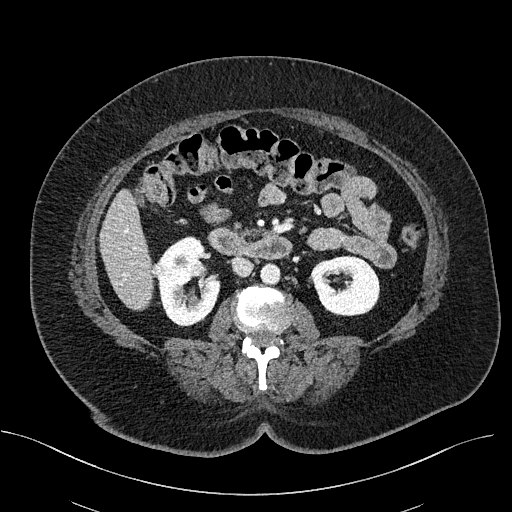
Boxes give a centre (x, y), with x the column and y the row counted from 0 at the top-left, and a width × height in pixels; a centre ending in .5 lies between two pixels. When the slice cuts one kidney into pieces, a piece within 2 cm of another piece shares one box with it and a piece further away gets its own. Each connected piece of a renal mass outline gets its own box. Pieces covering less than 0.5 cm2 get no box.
Contrast-enhanced abdominal CT, axial slice 284 of 470 (counted from the lowest slice); 2.00 mm thick, 0.824 mm per pixel. Boxed on this slice (two kidney boxes and one renal mass box), listed by box centre from the image's left to its right: (1) Right renal mass in a box with centre (157, 270.5), 17 × 16 pixels (outlined area 202 px, about 1.4 cm2). (2) Box centre (188.5, 281), 64 × 91 pixels: right kidney (outlined area 4,034 px, about 27.4 cm2). (3) Box centre (344.5, 285.5), 70 × 62 pixels: left kidney (outlined area 3,242 px, about 22.0 cm2).
Scan settings: 100 kVp, I40f reconstruction kernel.